One axial slice (372 of 581, counting up from the lowest) of an arterial-phase abdominal CT acquired with 120 kVp, kernel B30f; each pixel is 0.713 mm and the slice is 1.00 mm thick.
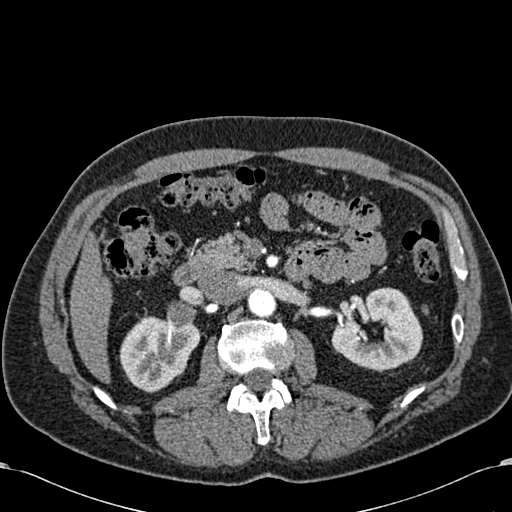
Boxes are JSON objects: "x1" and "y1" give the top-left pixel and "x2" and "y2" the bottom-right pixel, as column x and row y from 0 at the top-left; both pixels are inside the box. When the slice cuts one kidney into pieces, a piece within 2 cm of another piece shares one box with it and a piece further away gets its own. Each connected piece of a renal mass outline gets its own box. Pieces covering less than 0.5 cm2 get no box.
Two boxes on this slice (two kidney boxes), listed by box centre from the image's left to its right. (1) Box {"x1": 119, "y1": 315, "x2": 200, "y2": 392}: right kidney (outlined area 4,410 px, about 22.4 cm2). (2) Left kidney, box {"x1": 331, "y1": 287, "x2": 423, "y2": 370} (outlined area 5,155 px, about 26.2 cm2). No renal mass is outlined on this slice.